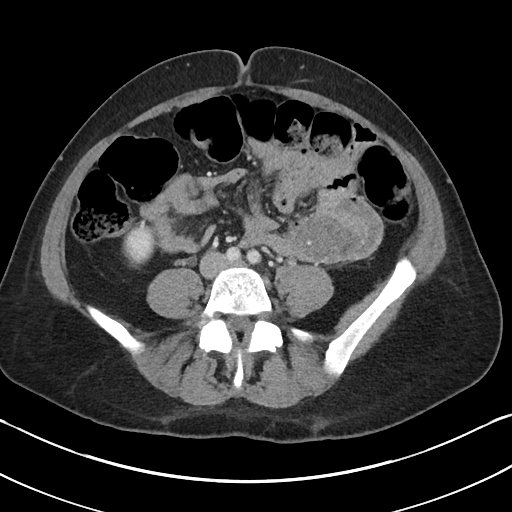
One axial slice (47 of 90, counting up from the lowest) of an arterial-phase abdominal CT acquired with 100 kVp, kernel I40f; each pixel is 0.703 mm and the slice is 5.00 mm thick.
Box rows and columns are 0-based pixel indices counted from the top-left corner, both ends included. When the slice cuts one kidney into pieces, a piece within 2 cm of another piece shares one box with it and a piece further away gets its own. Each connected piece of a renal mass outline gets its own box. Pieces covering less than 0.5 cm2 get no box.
Right kidney at rows 225–268, columns 122–156 (outlined area 1,135 px, about 5.6 cm2). No renal mass outline on this slice.